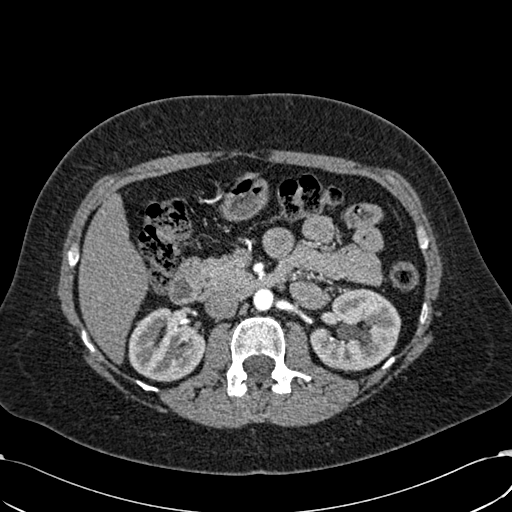
One axial slice (368 of 532, counting up from the lowest) of an arterial-phase abdominal CT acquired with 120 kVp, kernel B30f; each pixel is 0.713 mm and the slice is 1.00 mm thick.
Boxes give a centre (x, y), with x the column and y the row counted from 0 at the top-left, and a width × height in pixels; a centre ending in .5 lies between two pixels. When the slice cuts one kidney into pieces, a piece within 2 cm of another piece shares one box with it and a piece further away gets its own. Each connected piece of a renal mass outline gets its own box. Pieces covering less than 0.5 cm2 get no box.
Boxed on this slice (two kidney boxes), listed by box centre from the image's left to its right: (1) Box centre (166, 344), 77 × 75 pixels: right kidney (outlined area 4,266 px, about 21.7 cm2). (2) Box centre (355.5, 329.5), 92 × 84 pixels: left kidney (outlined area 5,470 px, about 27.8 cm2). No renal mass is outlined on this slice.